Abdominal CT with intravenous contrast, axial plane, 140 kVp, kernel I30f. Slice 386/787 from the bottom of the scan; thickness 1.00 mm; pixel size 0.910 mm.
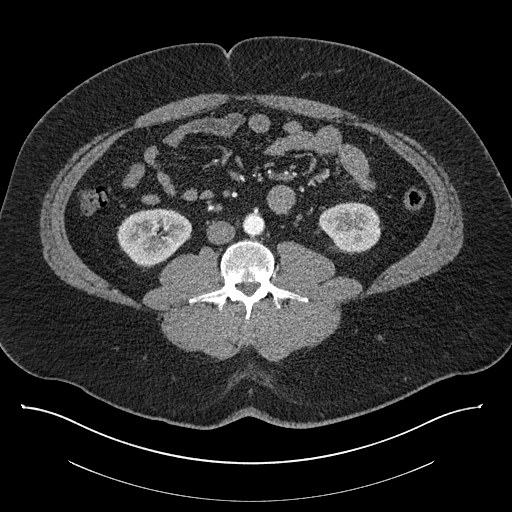
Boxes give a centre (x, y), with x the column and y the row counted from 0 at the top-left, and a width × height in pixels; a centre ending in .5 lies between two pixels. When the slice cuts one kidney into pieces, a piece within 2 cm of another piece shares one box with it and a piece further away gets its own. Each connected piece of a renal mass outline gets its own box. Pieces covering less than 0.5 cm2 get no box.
Two kidney boxes on this slice; by box centre, from the image's left to its right: (1) Box centre (154, 237), 75 × 59 pixels: right kidney (outlined area 3,229 px, about 26.7 cm2). (2) Box centre (349.5, 227), 64 × 53 pixels: left kidney (outlined area 2,493 px, about 20.7 cm2). No renal mass is outlined on this slice.